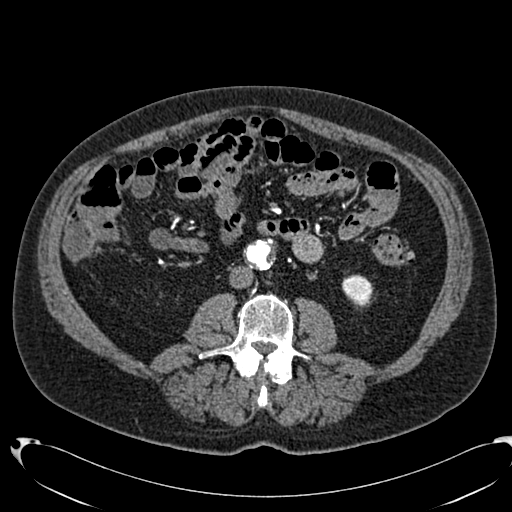
One axial slice (316 of 553, counting up from the lowest) of an arterial-phase abdominal CT acquired with 120 kVp, kernel B20f; each pixel is 0.773 mm and the slice is 1.00 mm thick.
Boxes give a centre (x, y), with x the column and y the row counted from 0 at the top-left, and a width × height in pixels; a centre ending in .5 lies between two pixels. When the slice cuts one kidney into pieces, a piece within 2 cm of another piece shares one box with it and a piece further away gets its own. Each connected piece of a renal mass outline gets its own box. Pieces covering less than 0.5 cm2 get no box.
Box centre (357, 290.5), 31 × 34 pixels: left kidney (outlined area 755 px, about 4.5 cm2). No renal mass outline on this slice.